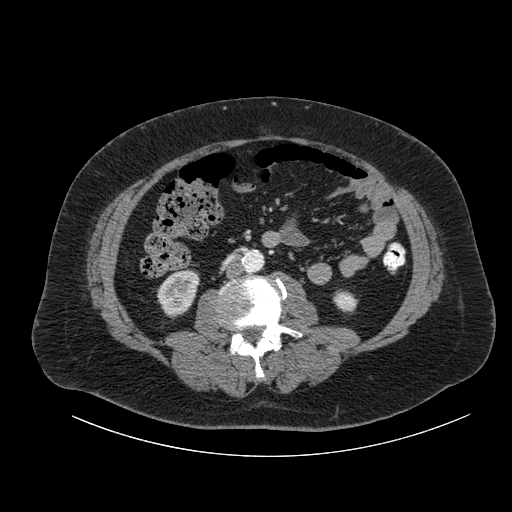
One axial slice (30 of 105, counting up from the lowest) of a contrast-enhanced abdominal CT acquired with 120 kVp, kernel B; each pixel is 0.977 mm and the slice is 3.00 mm thick.
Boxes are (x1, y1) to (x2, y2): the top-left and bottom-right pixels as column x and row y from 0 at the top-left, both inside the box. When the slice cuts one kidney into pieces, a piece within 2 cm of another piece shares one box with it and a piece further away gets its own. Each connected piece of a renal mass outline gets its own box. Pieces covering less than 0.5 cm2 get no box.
Two boxes on this slice (two kidney boxes), listed by box centre from the image's left to its right. (1) Right kidney, box (157, 269) to (199, 318) (outlined area 1,516 px, about 14.5 cm2). (2) Left kidney from (333, 289) to (358, 314) (outlined area 452 px, about 4.3 cm2). No renal mass outline on this slice.